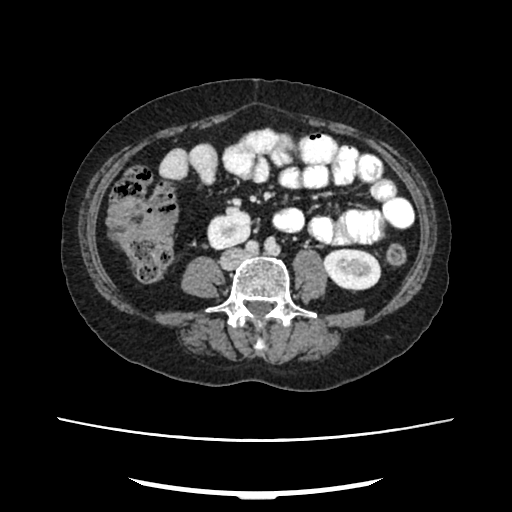
Axial slice 106 of 207 of a contrast-enhanced abdominal CT in the arterial phase (slice 1 is the lowest), 120 kVp, kernel FC18; 2.00 mm slice thickness and 0.741 mm pixels.
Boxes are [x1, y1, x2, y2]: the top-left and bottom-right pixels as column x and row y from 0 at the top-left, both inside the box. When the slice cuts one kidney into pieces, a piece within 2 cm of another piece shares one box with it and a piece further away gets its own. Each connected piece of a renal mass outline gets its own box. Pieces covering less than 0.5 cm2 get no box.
Two kidney boxes on this slice; by box centre, from the image's left to its right: (1) Right kidney at [207, 211, 251, 249] (outlined area 1,380 px, about 7.6 cm2). (2) Left kidney at [323, 248, 381, 290] (outlined area 1,970 px, about 10.8 cm2). No renal mass outline on this slice.